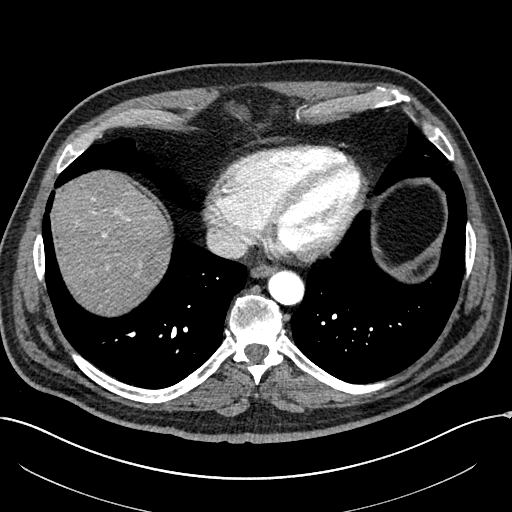
One axial slice (269 of 304, counting up from the lowest) of an arterial-phase abdominal CT acquired with 100 kVp, kernel I30f; each pixel is 0.809 mm and the slice is 2.00 mm thick.
This slice carries no outline: it lies beyond the outlined kidneys and beyond every outlined renal mass. Other organs are not outlined in this scan.